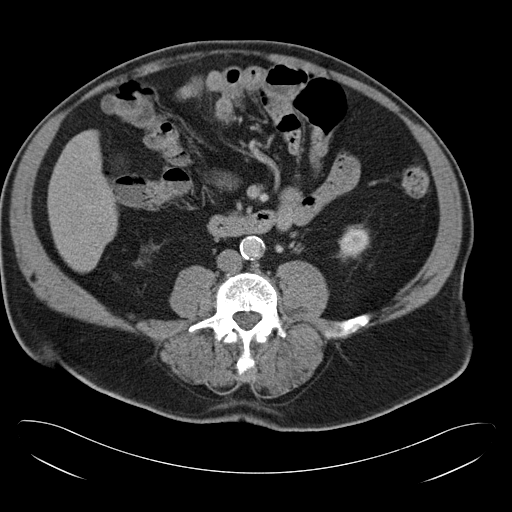
Axial slice 8 of 34 of a contrast-enhanced abdominal CT in the arterial phase (slice 1 is the lowest), 120 kVp, kernel B30f; 5.00 mm slice thickness and 0.830 mm pixels.
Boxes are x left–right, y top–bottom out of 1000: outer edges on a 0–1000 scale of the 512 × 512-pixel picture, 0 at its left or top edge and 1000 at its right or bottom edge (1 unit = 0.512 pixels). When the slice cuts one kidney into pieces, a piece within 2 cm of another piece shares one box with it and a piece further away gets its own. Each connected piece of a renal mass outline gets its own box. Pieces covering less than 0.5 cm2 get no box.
Left kidney, box x 664–723, y 447–500 out of 1000 (outlined area 661 px, about 4.6 cm2). No renal mass outline on this slice.